One axial slice (397 of 683, counting up from the lowest) of an arterial-phase abdominal CT acquired with 120 kVp, kernel I30f; each pixel is 0.738 mm and the slice is 1.00 mm thick.
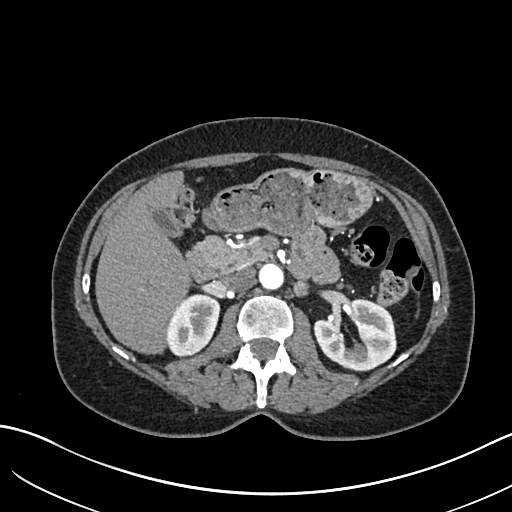
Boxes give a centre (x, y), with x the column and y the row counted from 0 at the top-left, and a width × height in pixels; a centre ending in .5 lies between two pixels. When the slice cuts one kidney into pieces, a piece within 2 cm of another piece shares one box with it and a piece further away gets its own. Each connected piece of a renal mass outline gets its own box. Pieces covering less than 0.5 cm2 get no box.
Two boxes on this slice (two kidney boxes), listed by box centre from the image's left to its right. (1) Right kidney in a box with centre (193, 324.5), 55 × 62 pixels (outlined area 2,511 px, about 13.7 cm2). (2) Box centre (354.5, 333.5), 84 × 72 pixels: left kidney (outlined area 4,148 px, about 22.6 cm2). No renal mass is outlined on this slice.